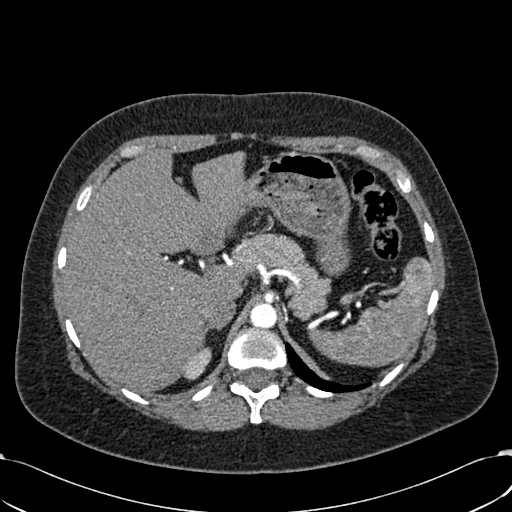
Abdominal CT with intravenous contrast, arterial phase, axial plane, 120 kVp, kernel B30f. Slice 460/532 from the bottom of the scan; thickness 1.00 mm; pixel size 0.713 mm.
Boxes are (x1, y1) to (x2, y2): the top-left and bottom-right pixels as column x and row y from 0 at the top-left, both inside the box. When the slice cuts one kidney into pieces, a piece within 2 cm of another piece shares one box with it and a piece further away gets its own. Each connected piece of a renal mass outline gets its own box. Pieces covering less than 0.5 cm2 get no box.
Right kidney from (184, 347) to (211, 380) (outlined area 571 px, about 2.9 cm2). No renal mass is outlined on this slice.